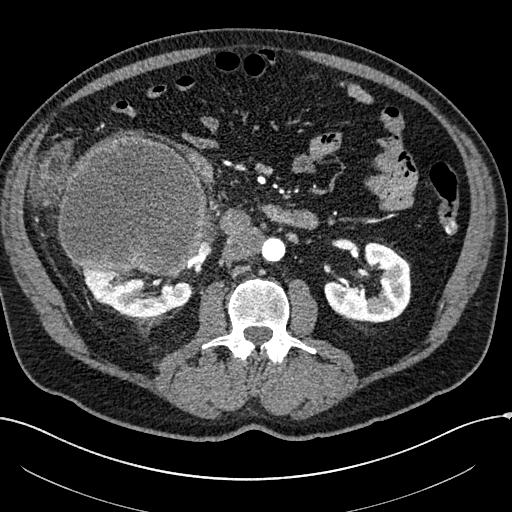
Abdominal CT with intravenous contrast, arterial phase, axial plane, 100 kVp, kernel I30f. Slice 104/304 from the bottom of the scan; thickness 2.00 mm; pixel size 0.809 mm.
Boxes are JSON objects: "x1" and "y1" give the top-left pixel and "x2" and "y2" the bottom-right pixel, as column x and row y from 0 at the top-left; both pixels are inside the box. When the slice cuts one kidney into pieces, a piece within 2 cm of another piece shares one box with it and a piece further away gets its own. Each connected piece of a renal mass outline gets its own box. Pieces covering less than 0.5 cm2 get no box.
Two kidney boxes and one renal mass box on this slice; by box centre, from the image's left to its right: (1) Right renal mass at {"x1": 58, "y1": 135, "x2": 206, "y2": 275} (outlined area 16,734 px, about 109.4 cm2). (2) Box {"x1": 77, "y1": 265, "x2": 192, "y2": 318}: right kidney (outlined area 3,866 px, about 25.3 cm2). (3) Box {"x1": 324, "y1": 242, "x2": 411, "y2": 322}: left kidney (outlined area 4,501 px, about 29.4 cm2).